One axial slice (465 of 673, counting up from the lowest) of an arterial-phase abdominal CT acquired with 140 kVp, kernel I30f; each pixel is 0.957 mm and the slice is 1.00 mm thick.
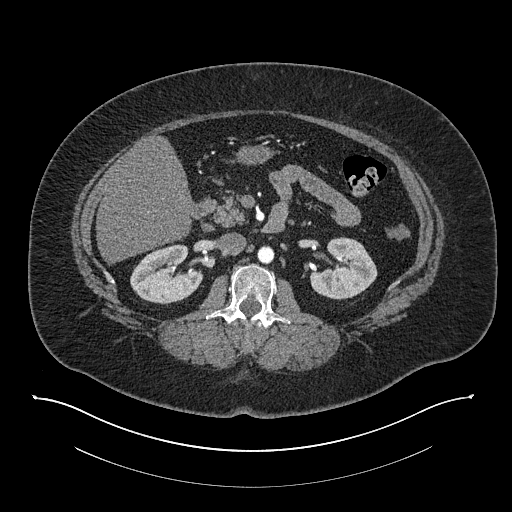
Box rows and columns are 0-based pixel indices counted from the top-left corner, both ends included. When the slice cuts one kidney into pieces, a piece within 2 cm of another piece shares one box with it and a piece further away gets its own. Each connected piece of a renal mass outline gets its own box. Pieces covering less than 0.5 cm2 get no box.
Two boxes on this slice (two kidney boxes), listed by box centre from the image's left to its right. (1) Right kidney at rows 244–303, columns 130–203 (outlined area 3,123 px, about 28.6 cm2). (2) Left kidney, box rows 237–299, columns 309–377 (outlined area 2,976 px, about 27.3 cm2). This slice carries no renal mass outline.